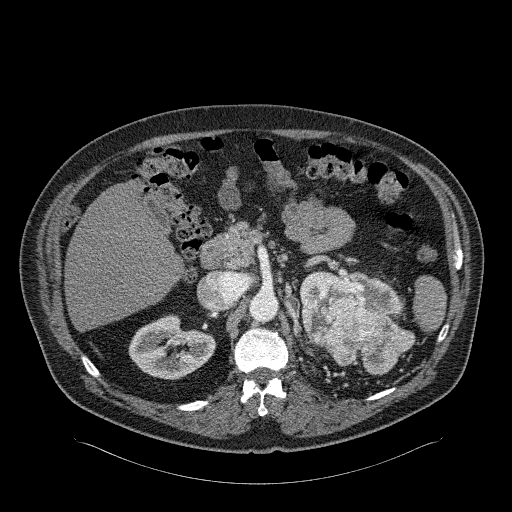
Axial slice 161 of 326 of a contrast-enhanced abdominal CT in the arterial phase (slice 1 is the lowest), 120 kVp, kernel B31f; 2.00 mm slice thickness and 0.963 mm pixels.
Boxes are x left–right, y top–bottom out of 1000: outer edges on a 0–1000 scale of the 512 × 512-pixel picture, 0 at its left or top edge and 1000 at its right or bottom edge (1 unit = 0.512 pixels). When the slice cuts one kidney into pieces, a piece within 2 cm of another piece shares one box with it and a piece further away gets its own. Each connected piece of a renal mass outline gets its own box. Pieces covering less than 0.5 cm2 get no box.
Two kidney boxes and one renal mass box on this slice; by box centre, from the image's left to its right: (1) Box x 250–424, y 613–742 out of 1000: right kidney (outlined area 3,840 px, about 35.6 cm2). (2) Left kidney at x 584–787, y 529–617 out of 1000 (outlined area 1,615 px, about 15.0 cm2). (3) Box x 588–813, y 541–734 out of 1000: left renal mass (outlined area 6,730 px, about 62.4 cm2).